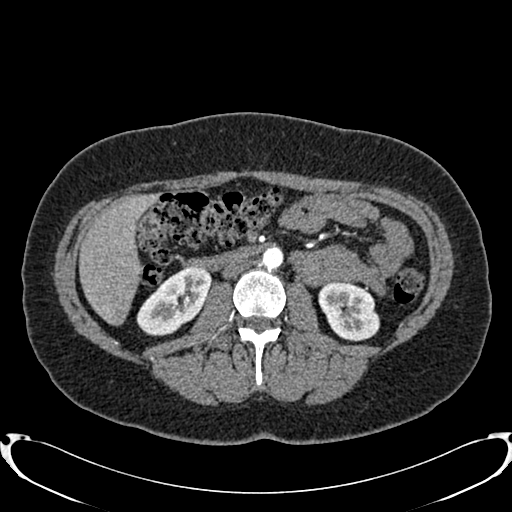
Axial slice 419 of 719 of a contrast-enhanced abdominal CT in the arterial phase (slice 1 is the lowest), 120 kVp, kernel B20f; 1.00 mm slice thickness and 0.766 mm pixels.
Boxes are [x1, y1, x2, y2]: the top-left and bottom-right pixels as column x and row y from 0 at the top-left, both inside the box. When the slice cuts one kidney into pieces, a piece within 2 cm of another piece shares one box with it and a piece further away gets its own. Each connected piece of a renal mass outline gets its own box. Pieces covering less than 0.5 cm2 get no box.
Two boxes on this slice (two kidney boxes), listed by box centre from the image's left to its right. (1) Box [136, 266, 211, 335]: right kidney (outlined area 3,333 px, about 19.5 cm2). (2) Left kidney, box [318, 282, 379, 341] (outlined area 2,770 px, about 16.2 cm2). This slice carries no renal mass outline.